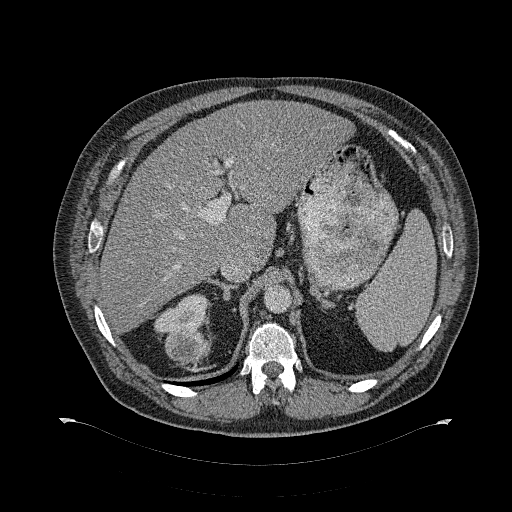
Contrast-enhanced abdominal CT, axial slice 222 of 274 (counted from the lowest slice); tube voltage 120 kVp, convolution kernel B31f; slices 2.00 mm thick, 0.977 mm per pixel.
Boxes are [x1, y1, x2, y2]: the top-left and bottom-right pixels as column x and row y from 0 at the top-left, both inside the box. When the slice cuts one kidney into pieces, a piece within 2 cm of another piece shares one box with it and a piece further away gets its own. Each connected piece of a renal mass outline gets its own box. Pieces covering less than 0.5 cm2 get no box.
Boxed on this slice (one kidney box and one renal mass box), listed by box centre from the image's left to its right: (1) Right kidney at [154, 294, 208, 332] (outlined area 1,365 px, about 13.0 cm2). (2) Right renal mass, box [164, 329, 210, 363] (outlined area 1,288 px, about 12.3 cm2).